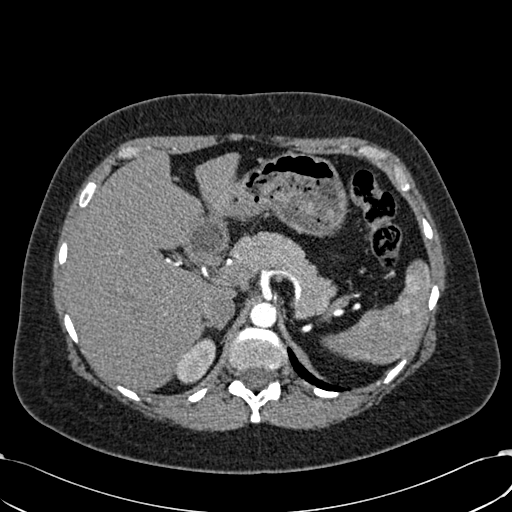
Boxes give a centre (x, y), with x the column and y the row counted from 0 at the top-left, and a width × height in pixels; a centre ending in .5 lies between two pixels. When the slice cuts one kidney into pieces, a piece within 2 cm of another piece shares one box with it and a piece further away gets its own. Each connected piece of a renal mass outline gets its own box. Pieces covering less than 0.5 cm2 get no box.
Slice 454/532 of a contrast-enhanced abdominal CT in the arterial phase, counting up from the lowest; pixel size 0.713 mm, slice thickness 1.00 mm. Right kidney in a box with centre (195, 360.5), 41 × 46 pixels (outlined area 1,281 px, about 6.5 cm2). This slice carries no renal mass outline.
Acquired at 120 kVp and reconstructed with the B30f kernel.